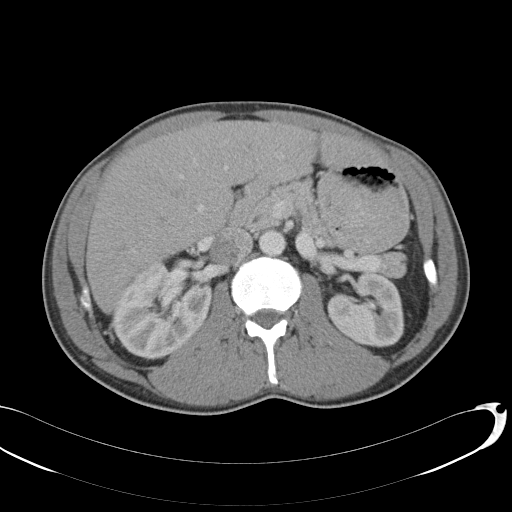
One axial slice (67 of 146, counting up from the lowest) of a contrast-enhanced abdominal CT acquired with 120 kVp, kernel B31f; each pixel is 0.742 mm and the slice is 5.00 mm thick.
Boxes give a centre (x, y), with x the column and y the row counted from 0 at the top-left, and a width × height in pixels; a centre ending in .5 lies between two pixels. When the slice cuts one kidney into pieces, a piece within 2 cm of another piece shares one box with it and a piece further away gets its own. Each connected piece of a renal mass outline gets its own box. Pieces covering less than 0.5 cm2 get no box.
Boxed on this slice (two kidney boxes), listed by box centre from the image's left to its right: (1) Box centre (162, 310), 101 × 101 pixels: right kidney (outlined area 7,211 px, about 39.7 cm2). (2) Box centre (365.5, 310), 78 × 75 pixels: left kidney (outlined area 4,433 px, about 24.4 cm2). No renal mass is outlined on this slice.